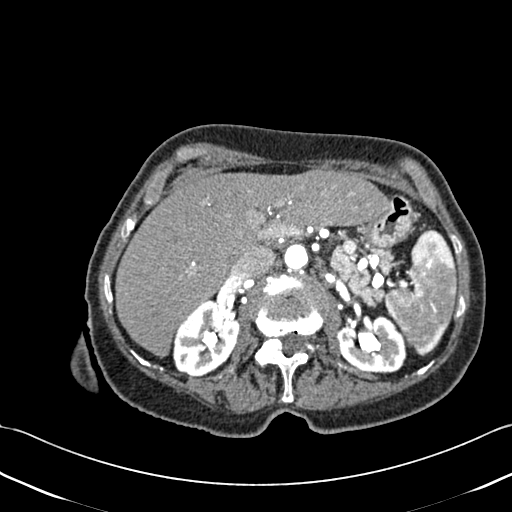
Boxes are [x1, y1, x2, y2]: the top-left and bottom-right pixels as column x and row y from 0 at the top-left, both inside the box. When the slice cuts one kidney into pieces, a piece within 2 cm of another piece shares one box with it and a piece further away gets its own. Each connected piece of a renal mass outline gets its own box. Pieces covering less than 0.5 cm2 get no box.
Contrast-enhanced abdominal CT, axial slice 294 of 433 (counted from the lowest slice); 1.00 mm thick, 0.672 mm per pixel. Two kidney boxes on this slice; by box centre, from the image's left to its right: (1) Box [173, 299, 239, 378]: right kidney (outlined area 3,746 px, about 16.9 cm2). (2) Box [336, 315, 406, 373]: left kidney (outlined area 3,101 px, about 14.0 cm2). This slice carries no renal mass outline.
Acquired at 120 kVp and reconstructed with the B30f kernel.